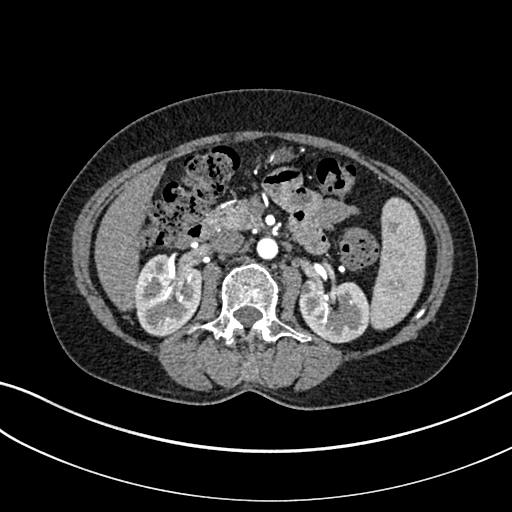
Axial slice 166 of 325 of a contrast-enhanced abdominal CT in the arterial phase (slice 1 is the lowest), 100 kVp, kernel I30f; 1.00 mm slice thickness and 0.703 mm pixels.
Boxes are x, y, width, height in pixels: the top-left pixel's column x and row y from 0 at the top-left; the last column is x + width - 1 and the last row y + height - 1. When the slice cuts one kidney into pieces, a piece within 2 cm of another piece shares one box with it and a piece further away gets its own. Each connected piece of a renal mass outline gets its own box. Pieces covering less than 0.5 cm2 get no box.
Two kidney boxes on this slice; by box centre, from the image's left to its right: (1) Right kidney, box x 134, y 253, width 69, height 84 (outlined area 4,387 px, about 21.7 cm2). (2) Box x 299, y 279, width 71, height 65: left kidney (outlined area 3,621 px, about 17.9 cm2). This slice carries no renal mass outline.